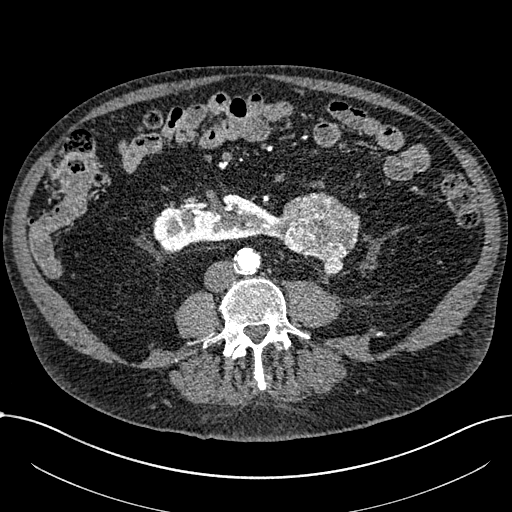
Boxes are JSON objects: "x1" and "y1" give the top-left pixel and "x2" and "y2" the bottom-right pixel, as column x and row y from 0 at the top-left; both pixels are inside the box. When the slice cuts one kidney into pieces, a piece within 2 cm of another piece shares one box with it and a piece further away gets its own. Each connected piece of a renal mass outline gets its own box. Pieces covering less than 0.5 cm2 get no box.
This is axial slice 268 of 1059 (slice 1 is the lowest) of an arterial-phase abdominal CT with contrast; each pixel is 0.811 mm and the slice is 1.00 mm thick. Two boxes on this slice (one kidney box and one renal mass box), listed by box centre from the image's left to its right. (1) Box {"x1": 153, "y1": 193, "x2": 278, "y2": 252}: right part of the midline-crossing kidney (outlined area 4,811 px, about 31.6 cm2). (2) Renal mass at {"x1": 275, "y1": 192, "x2": 359, "y2": 273} (outlined area 4,637 px, about 30.5 cm2).
Scan settings: 100 kVp, I30f reconstruction kernel.